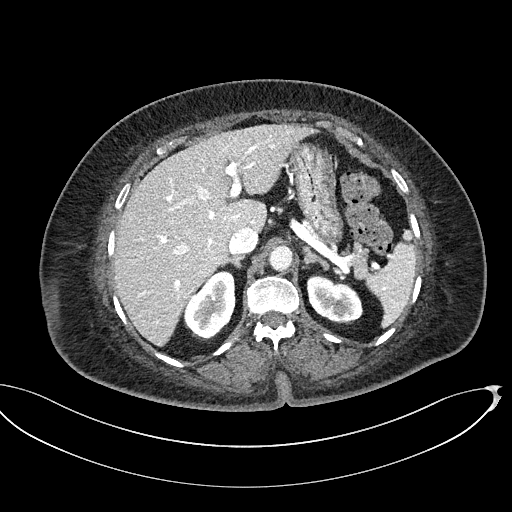
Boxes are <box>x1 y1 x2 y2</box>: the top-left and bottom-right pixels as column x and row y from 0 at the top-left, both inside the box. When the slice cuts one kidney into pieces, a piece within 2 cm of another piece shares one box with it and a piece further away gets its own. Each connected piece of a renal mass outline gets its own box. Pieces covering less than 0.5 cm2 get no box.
Slice 351/439 of a contrast-enhanced abdominal CT, counting up from the lowest; pixel size 0.850 mm, slice thickness 2.00 mm. Two boxes on this slice (two kidney boxes), listed by box centre from the image's left to its right. (1) Right kidney: <box>184 270 235 340</box> (outlined area 2,539 px, about 18.3 cm2). (2) At <box>306 275 363 324</box>: left kidney (outlined area 2,017 px, about 14.6 cm2). This slice carries no renal mass outline.
Acquired at 100 kVp and reconstructed with the I40f kernel.